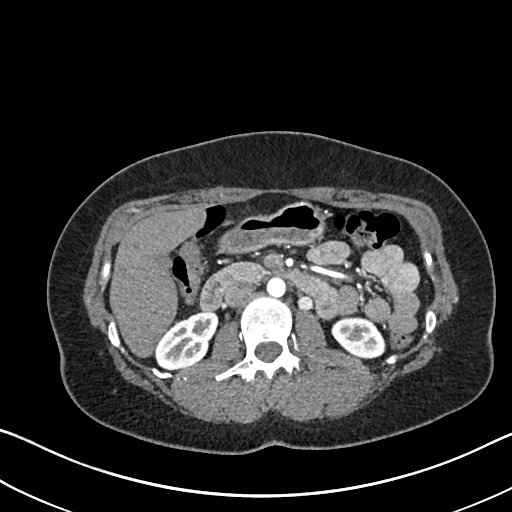
One axial slice (393 of 612, counting up from the lowest) of an arterial-phase abdominal CT acquired with 120 kVp, kernel I30f; each pixel is 0.703 mm and the slice is 1.00 mm thick.
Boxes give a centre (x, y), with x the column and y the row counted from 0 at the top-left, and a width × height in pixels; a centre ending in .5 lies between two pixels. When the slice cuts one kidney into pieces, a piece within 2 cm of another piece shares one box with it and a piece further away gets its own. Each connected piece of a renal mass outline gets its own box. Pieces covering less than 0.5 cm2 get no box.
Two kidney boxes on this slice; by box centre, from the image's left to its right: (1) Right kidney in a box with centre (187, 340.5), 63 × 60 pixels (outlined area 2,470 px, about 12.2 cm2). (2) Box centre (358, 337), 53 × 43 pixels: left kidney (outlined area 1,710 px, about 8.5 cm2). This slice carries no renal mass outline.